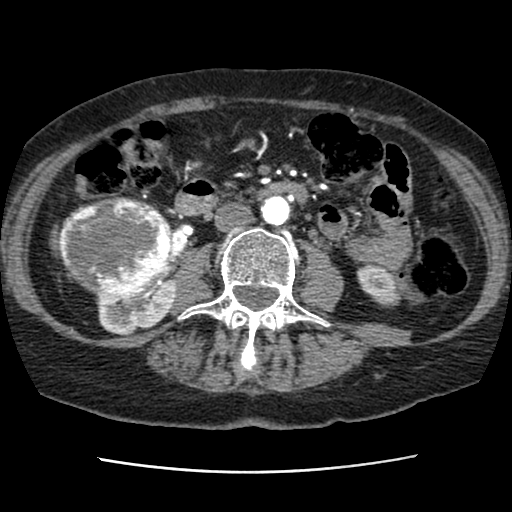
Abdominal CT with intravenous contrast, axial plane, 120 kVp, kernel STANDARD. Slice 34/76 from the bottom of the scan; thickness 2.50 mm; pixel size 0.586 mm.
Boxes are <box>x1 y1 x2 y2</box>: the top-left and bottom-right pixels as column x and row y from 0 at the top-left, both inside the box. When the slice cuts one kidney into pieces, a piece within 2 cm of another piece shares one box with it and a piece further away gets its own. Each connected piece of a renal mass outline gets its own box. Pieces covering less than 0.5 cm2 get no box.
Three boxes on this slice (two kidney boxes and one renal mass box), listed by box centre from the image's left to its right. (1) Right renal mass: <box>59 195 171 300</box> (outlined area 9,319 px, about 32.0 cm2). (2) Right kidney: <box>96 249 175 335</box> (outlined area 2,717 px, about 9.3 cm2). (3) Left kidney at <box>356 265 400 305</box> (outlined area 1,281 px, about 4.4 cm2).